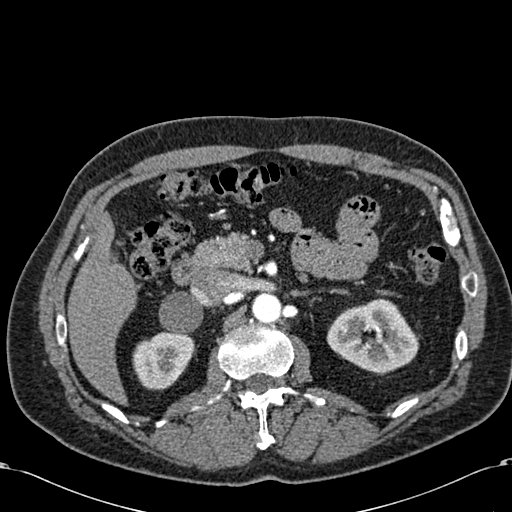
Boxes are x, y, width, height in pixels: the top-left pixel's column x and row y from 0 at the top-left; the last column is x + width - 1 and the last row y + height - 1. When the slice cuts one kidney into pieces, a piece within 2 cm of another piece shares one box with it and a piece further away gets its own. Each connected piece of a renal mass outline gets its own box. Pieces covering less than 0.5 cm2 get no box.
Arterial-phase contrast-enhanced abdominal CT, axial slice 395 of 581 (counted from the lowest slice); 1.00 mm thick, 0.713 mm per pixel. Boxed on this slice (two kidney boxes), listed by box centre from the image's left to its right: (1) Right kidney, box x 132, y 331, width 63, height 60 (outlined area 2,769 px, about 14.1 cm2). (2) Box x 326, y 298, width 93, height 75: left kidney (outlined area 4,843 px, about 24.6 cm2). No renal mass outline on this slice.
Scan settings: 120 kVp, B30f reconstruction kernel.